One axial slice (67 of 88, counting up from the lowest) of a contrast-enhanced abdominal CT acquired with 100 kVp, kernel I40f; each pixel is 0.674 mm and the slice is 5.00 mm thick.
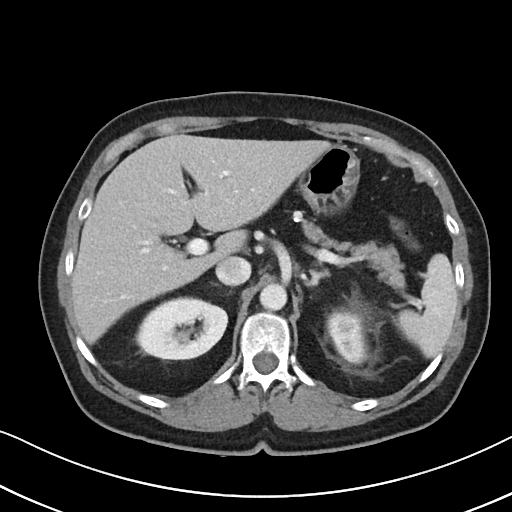
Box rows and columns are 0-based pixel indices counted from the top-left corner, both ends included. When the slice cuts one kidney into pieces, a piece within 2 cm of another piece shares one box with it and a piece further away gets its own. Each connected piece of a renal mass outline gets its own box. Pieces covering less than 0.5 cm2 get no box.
Boxed on this slice (two kidney boxes), listed by box centre from the image's left to its right: (1) Box rows 296–362, columns 134–228: right kidney (outlined area 4,632 px, about 21.0 cm2). (2) Left kidney at rows 309–364, columns 326–367 (outlined area 1,765 px, about 8.0 cm2). No renal mass outline on this slice.